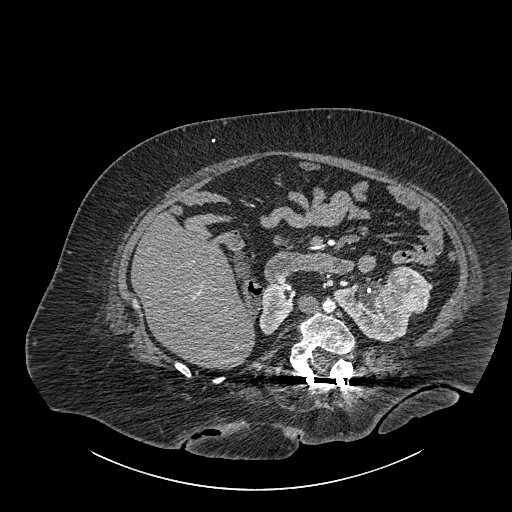
Abdominal CT with intravenous contrast, axial plane, 140 kVp, kernel I30f. Slice 530/834 from the bottom of the scan; thickness 1.00 mm; pixel size 0.977 mm.
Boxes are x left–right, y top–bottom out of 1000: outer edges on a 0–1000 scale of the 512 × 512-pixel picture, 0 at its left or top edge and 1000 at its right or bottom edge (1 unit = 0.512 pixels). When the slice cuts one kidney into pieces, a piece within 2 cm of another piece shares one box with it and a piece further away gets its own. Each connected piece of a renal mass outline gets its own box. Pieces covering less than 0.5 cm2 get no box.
Boxed on this slice (two kidney boxes and one renal mass box), listed by box centre from the image's left to its right: (1) Box x 506–572, y 557–654 out of 1000: right part of the midline-crossing kidney (outlined area 1,140 px, about 10.9 cm2). (2) Left part of the midline-crossing kidney at x 650–805, y 555–668 out of 1000 (outlined area 2,751 px, about 26.2 cm2). (3) Renal mass, box x 754–840, y 520–615 out of 1000 (outlined area 1,629 px, about 15.5 cm2).